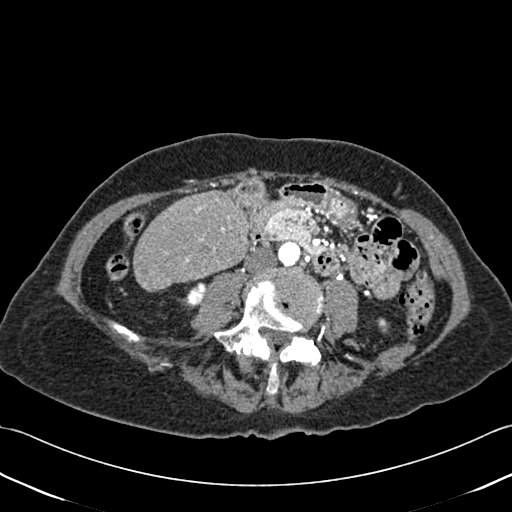
Axial slice 161 of 433 of a contrast-enhanced abdominal CT (slice 1 is the lowest), 120 kVp, kernel B30f; 1.00 mm slice thickness and 0.672 mm pixels.
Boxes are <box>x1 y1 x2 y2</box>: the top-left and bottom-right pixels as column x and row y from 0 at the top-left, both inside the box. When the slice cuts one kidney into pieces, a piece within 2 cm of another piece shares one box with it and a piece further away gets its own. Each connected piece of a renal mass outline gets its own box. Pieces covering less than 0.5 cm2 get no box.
Two boxes on this slice (two kidney boxes), listed by box centre from the image's left to its right. (1) At <box>185 284 204 307</box>: right kidney (outlined area 292 px, about 1.3 cm2). (2) Left kidney at <box>377 317 389 333</box> (outlined area 145 px, about 0.7 cm2). This slice carries no renal mass outline.